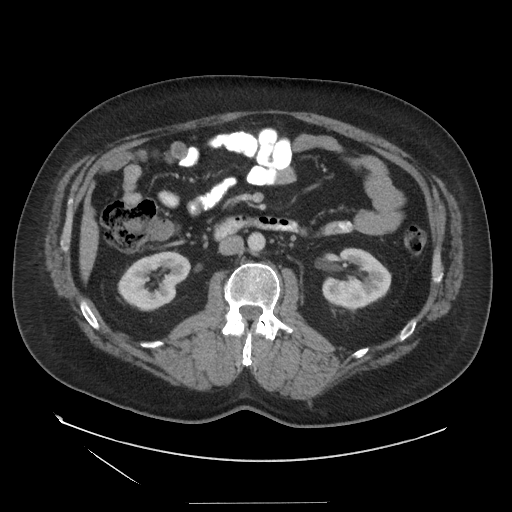
Axial slice 76 of 129 of a contrast-enhanced abdominal CT in the arterial phase (slice 1 is the lowest), 140 kVp, kernel STANDARD; 3.75 mm slice thickness and 0.938 mm pixels.
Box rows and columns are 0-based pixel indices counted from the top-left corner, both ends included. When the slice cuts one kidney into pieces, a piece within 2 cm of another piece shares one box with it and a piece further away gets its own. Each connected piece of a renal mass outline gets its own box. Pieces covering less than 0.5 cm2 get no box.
Two kidney boxes on this slice; by box centre, from the image's left to its right: (1) Right kidney, box rows 250–311, columns 117–190 (outlined area 3,093 px, about 27.2 cm2). (2) Left kidney at rows 247–309, columns 322–391 (outlined area 3,003 px, about 26.4 cm2). No renal mass outline on this slice.